One axial slice (68 of 105, counting up from the lowest) of an arterial-phase abdominal CT acquired with 120 kVp, kernel STANDARD; each pixel is 0.707 mm and the slice is 5.00 mm thick.
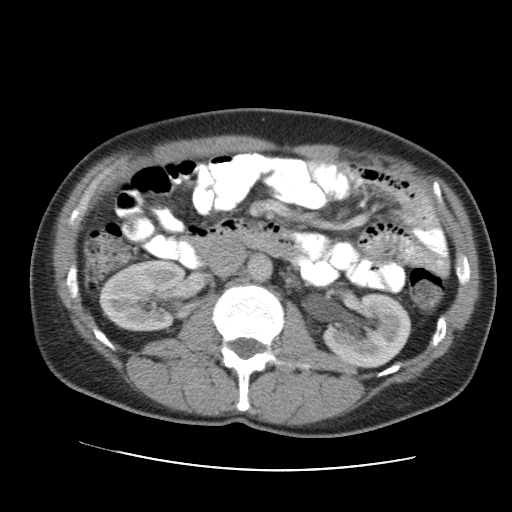
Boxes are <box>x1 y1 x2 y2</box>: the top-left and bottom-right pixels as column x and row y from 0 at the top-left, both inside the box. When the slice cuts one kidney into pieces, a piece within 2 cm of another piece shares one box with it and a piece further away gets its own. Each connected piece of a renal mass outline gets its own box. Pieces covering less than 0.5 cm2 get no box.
Two kidney boxes on this slice; by box centre, from the image's left to its right: (1) Right kidney: <box>98 259 186 331</box> (outlined area 5,005 px, about 25.0 cm2). (2) Left kidney: <box>322 292 411 368</box> (outlined area 4,887 px, about 24.4 cm2). No renal mass outline on this slice.